Abdominal CT with intravenous contrast, arterial phase, axial plane, 100 kVp, kernel I26f. Slice 477/665 from the bottom of the scan; thickness 1.00 mm; pixel size 0.828 mm.
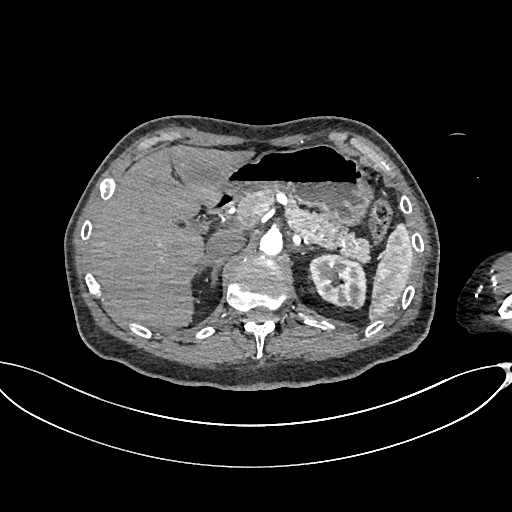
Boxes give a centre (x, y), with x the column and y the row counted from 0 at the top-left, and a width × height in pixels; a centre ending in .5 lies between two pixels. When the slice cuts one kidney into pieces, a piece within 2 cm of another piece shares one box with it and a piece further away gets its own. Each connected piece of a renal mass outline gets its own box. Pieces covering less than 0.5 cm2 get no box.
Left kidney in a box with centre (337, 281), 59 × 57 pixels (outlined area 2,532 px, about 17.4 cm2). No renal mass outline on this slice.